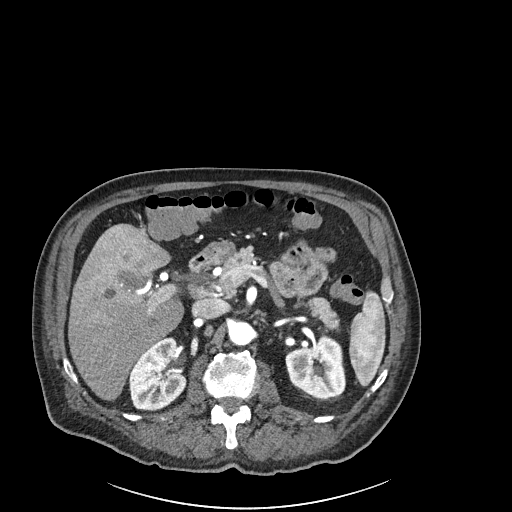
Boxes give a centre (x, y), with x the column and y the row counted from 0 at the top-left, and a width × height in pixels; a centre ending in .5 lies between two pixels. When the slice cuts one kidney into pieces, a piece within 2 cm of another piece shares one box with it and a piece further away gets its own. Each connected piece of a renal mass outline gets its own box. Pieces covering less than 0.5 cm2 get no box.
This is axial slice 136 of 261 (slice 1 is the lowest) of an arterial-phase abdominal CT with contrast; each pixel is 0.939 mm and the slice is 2.00 mm thick. Boxed on this slice (two kidney boxes), listed by box centre from the image's left to its right: (1) Box centre (157.5, 373.5), 58 × 74 pixels: right kidney (outlined area 3,085 px, about 27.2 cm2). (2) Left kidney, box centre (315, 366.5), 61 × 64 pixels (outlined area 2,887 px, about 25.5 cm2). No renal mass is outlined on this slice.
Acquired at 120 kVp and reconstructed with the I30f kernel.